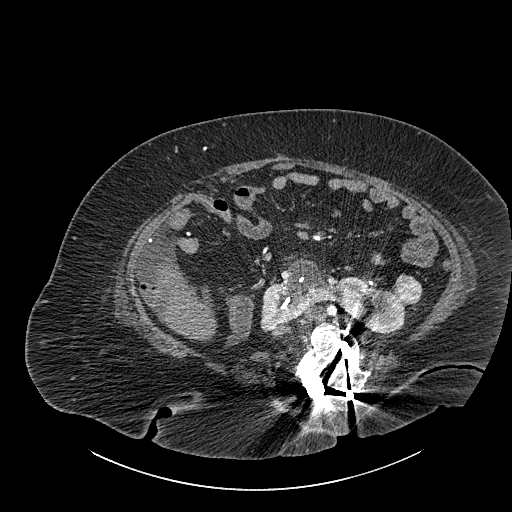
Contrast-enhanced abdominal CT, axial slice 482 of 834 (counted from the lowest slice); tube voltage 140 kVp, convolution kernel I30f; slices 1.00 mm thick, 0.977 mm per pixel.
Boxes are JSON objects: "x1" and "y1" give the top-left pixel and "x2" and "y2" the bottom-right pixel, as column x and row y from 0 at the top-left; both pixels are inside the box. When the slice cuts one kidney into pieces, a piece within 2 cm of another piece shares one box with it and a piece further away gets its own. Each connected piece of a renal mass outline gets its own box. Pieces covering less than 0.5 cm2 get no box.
Boxed on this slice (one kidney box and one renal mass box), listed by box centre from the image's left to its right: (1) Kidney crossing the body midline at {"x1": 260, "y1": 259, "x2": 405, "y2": 334} (outlined area 5,716 px, about 54.5 cm2). (2) Renal mass at {"x1": 393, "y1": 274, "x2": 422, "y2": 305} (outlined area 736 px, about 7.0 cm2).